Contrast-enhanced abdominal CT, axial slice 136 of 301 (counted from the lowest slice); tube voltage 120 kVp, convolution kernel I40f; slices 2.00 mm thick, 0.859 mm per pixel.
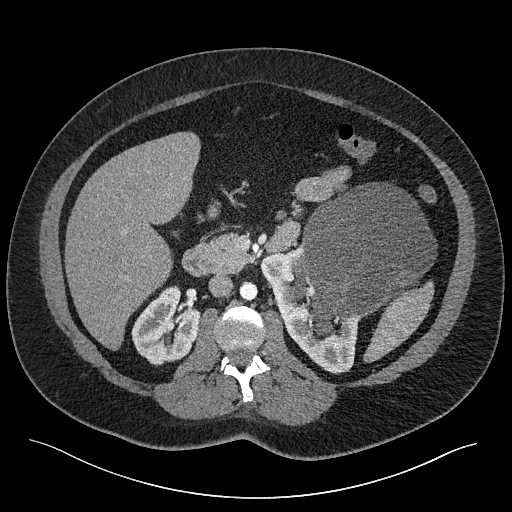
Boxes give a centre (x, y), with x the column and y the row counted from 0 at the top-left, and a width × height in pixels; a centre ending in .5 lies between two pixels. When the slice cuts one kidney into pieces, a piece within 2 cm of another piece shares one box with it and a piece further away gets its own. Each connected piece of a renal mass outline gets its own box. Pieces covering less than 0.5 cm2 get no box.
Two kidney boxes and one renal mass box on this slice; by box centre, from the image's left to its right: (1) Right kidney, box centre (166, 325.5), 71 × 82 pixels (outlined area 3,803 px, about 28.1 cm2). (2) Left kidney, box centre (310.5, 309), 102 × 129 pixels (outlined area 4,506 px, about 33.3 cm2). (3) Box centre (364.5, 258.5), 146 × 154 pixels: left renal mass (outlined area 14,919 px, about 110.2 cm2).